One axial slice (309 of 553, counting up from the lowest) of an arterial-phase abdominal CT acquired with 120 kVp, kernel B20f; each pixel is 0.773 mm and the slice is 1.00 mm thick.
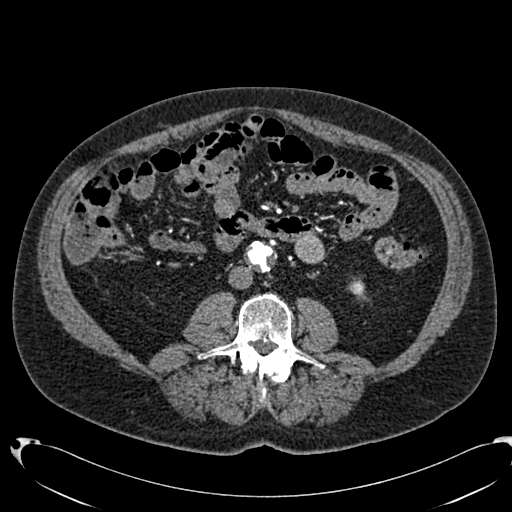
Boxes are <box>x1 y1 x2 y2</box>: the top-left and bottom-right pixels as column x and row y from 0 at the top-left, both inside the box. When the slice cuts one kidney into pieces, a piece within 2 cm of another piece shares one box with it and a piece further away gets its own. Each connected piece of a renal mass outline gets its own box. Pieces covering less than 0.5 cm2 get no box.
Left kidney at <box>348 281 364 294</box> (outlined area 171 px, about 1.0 cm2). No renal mass outline on this slice.